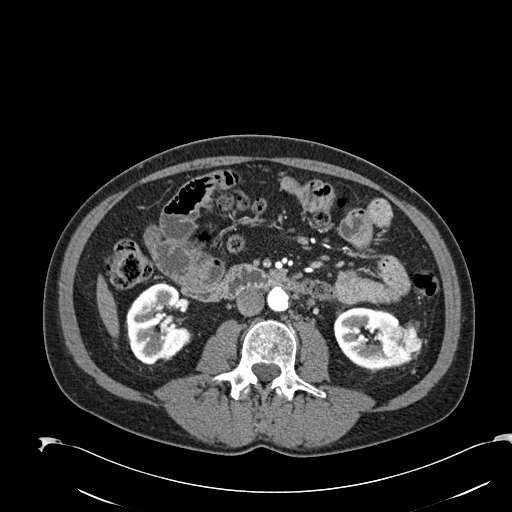
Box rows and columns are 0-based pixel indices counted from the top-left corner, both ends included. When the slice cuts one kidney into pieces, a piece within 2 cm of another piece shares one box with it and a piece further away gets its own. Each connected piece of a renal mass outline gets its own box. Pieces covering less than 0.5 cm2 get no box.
Slice 91/274 of a contrast-enhanced abdominal CT in the arterial phase, counting up from the lowest; pixel size 0.809 mm, slice thickness 2.00 mm. Three boxes on this slice (two kidney boxes and one renal mass box), listed by box centre from the image's left to its right. (1) Right kidney, box rows 285–365, columns 126–188 (outlined area 3,798 px, about 24.8 cm2). (2) Left kidney, box rows 307–369, columns 333–399 (outlined area 2,789 px, about 18.2 cm2). (3) Left renal mass, box rows 321–368, columns 382–423 (outlined area 1,398 px, about 9.1 cm2).
Scan settings: 120 kVp, B30f reconstruction kernel.